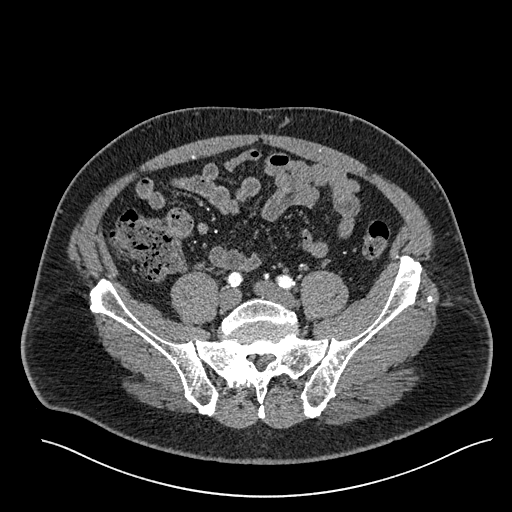
Abdominal CT with intravenous contrast, arterial phase, axial plane, 120 kVp, kernel I30f. Slice 88/527 from the bottom of the scan; thickness 1.00 mm; pixel size 0.859 mm.
Outside the outlined region: no kidney outline and no renal mass outline on this slice. The scan's outlines cover only kidneys and renal masses; no other organ is outlined.